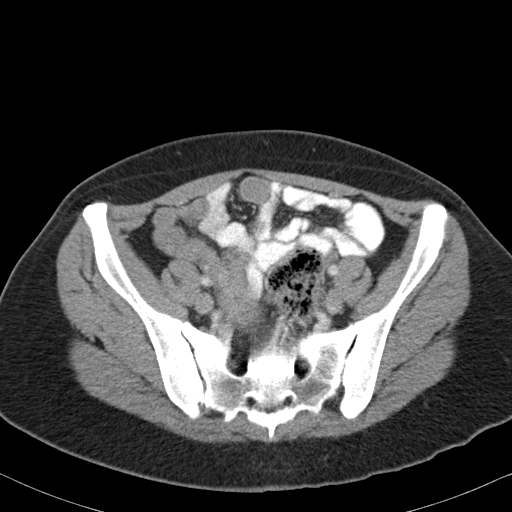
Axial slice 32 of 82 of a contrast-enhanced abdominal CT in the arterial phase (slice 1 is the lowest), 120 kVp, kernel B31f; 5.00 mm slice thickness and 0.625 mm pixels.
Outside the outlined region: no kidney outline and no renal mass outline on this slice. The scan's outlines cover only kidneys and renal masses; no other organ is outlined.